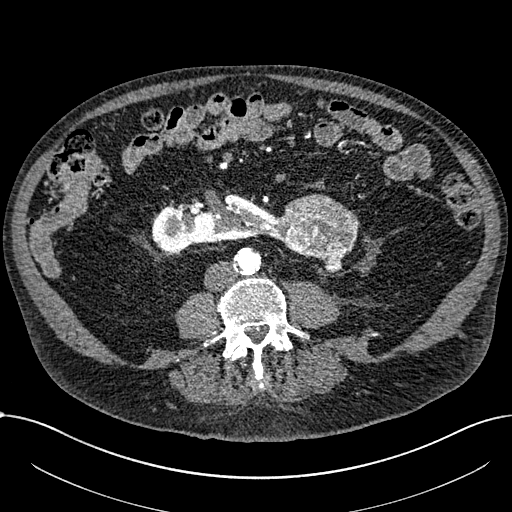
Axial slice 271 of 1059 of a contrast-enhanced abdominal CT in the arterial phase (slice 1 is the lowest), 100 kVp, kernel I30f; 1.00 mm slice thickness and 0.811 mm pixels.
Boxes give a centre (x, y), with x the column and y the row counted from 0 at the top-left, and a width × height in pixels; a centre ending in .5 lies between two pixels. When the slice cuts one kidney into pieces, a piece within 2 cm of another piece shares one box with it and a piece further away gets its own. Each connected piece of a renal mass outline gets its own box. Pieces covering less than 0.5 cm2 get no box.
Boxed on this slice (one kidney box and one renal mass box), listed by box centre from the image's left to its right: (1) Right part of the midline-crossing kidney in a box with centre (214.5, 223), 128 × 63 pixels (outlined area 5,101 px, about 33.5 cm2). (2) Renal mass in a box with centre (317.5, 232), 84 × 77 pixels (outlined area 4,372 px, about 28.7 cm2).